Abdominal CT with intravenous contrast, arterial phase, axial plane, 100 kVp, kernel I30f. Slice 25/304 from the bottom of the scan; thickness 2.00 mm; pixel size 0.809 mm.
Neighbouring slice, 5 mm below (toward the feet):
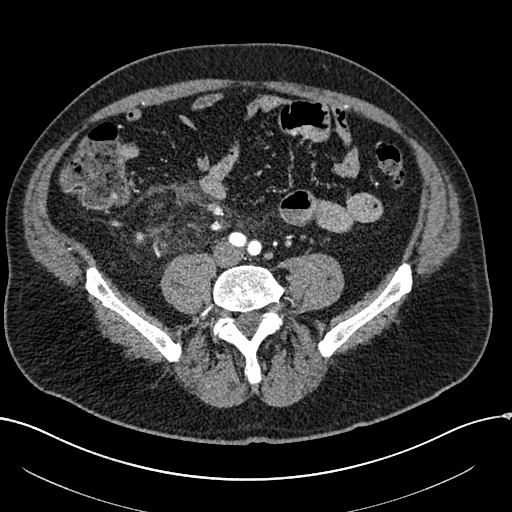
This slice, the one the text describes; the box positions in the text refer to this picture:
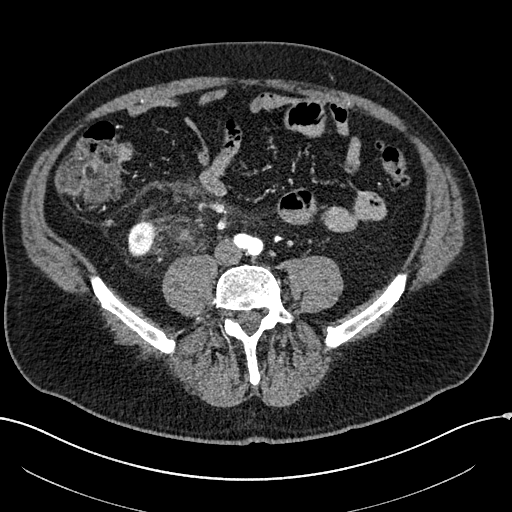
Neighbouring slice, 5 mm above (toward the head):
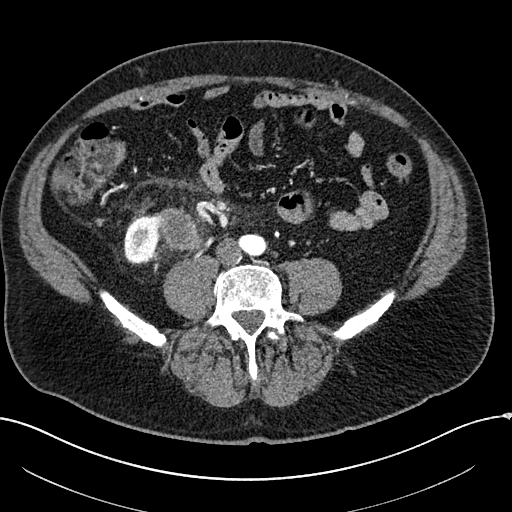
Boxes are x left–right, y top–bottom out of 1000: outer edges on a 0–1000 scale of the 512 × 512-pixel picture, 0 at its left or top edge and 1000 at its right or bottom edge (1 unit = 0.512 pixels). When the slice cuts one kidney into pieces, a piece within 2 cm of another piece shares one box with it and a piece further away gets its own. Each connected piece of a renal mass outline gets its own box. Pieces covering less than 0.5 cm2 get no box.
One kidney box and one renal mass box on this slice; by box centre, from the image's left to its right: (1) Right kidney, box x 248–303, y 432–504 out of 1000 (outlined area 786 px, about 5.1 cm2). (2) Box x 324–377, y 422–469 out of 1000: right renal mass (outlined area 374 px, about 2.4 cm2). This slice is near the end of the right renal mass toward the feet, so the slices 5 mm below and 5 mm above it are shown as well; the boxes refer to this slice only.